Axial slice 210 of 274 of a contrast-enhanced abdominal CT (slice 1 is the lowest), 120 kVp, kernel B31f; 2.00 mm slice thickness and 0.977 mm pixels.
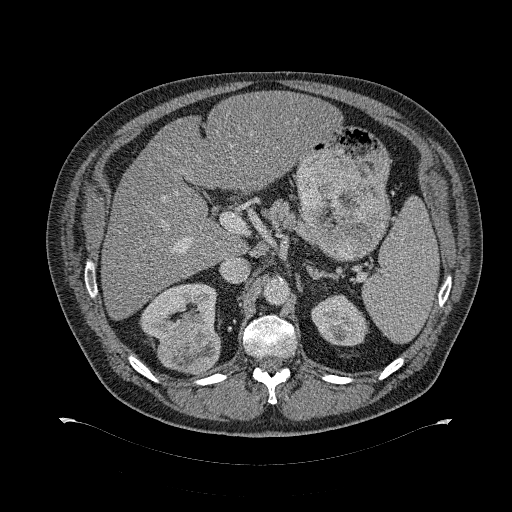
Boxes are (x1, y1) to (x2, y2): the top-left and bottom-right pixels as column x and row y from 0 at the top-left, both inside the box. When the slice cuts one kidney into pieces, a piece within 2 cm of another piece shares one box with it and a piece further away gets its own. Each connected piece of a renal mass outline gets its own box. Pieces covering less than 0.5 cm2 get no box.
Two kidney boxes and one renal mass box on this slice; by box centre, from the image's left to its right: (1) Right kidney, box (139, 282) to (216, 339) (outlined area 2,813 px, about 26.8 cm2). (2) Box (158, 322) to (220, 374): right renal mass (outlined area 2,615 px, about 24.9 cm2). (3) Left kidney from (311, 294) to (368, 346) (outlined area 2,188 px, about 20.9 cm2).